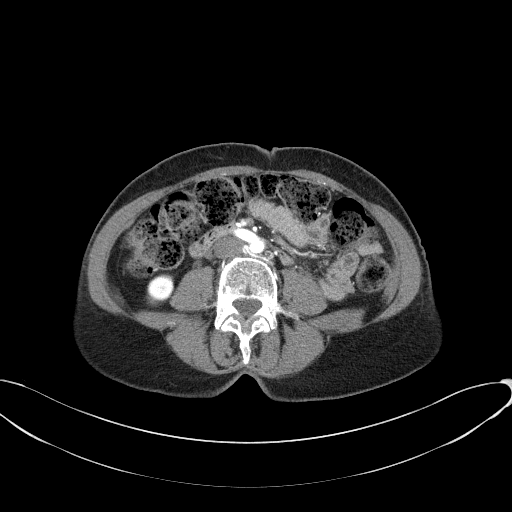
Abdominal CT with intravenous contrast, arterial phase, axial plane, 100 kVp, kernel B41f. Slice 14/77 from the bottom of the scan; thickness 3.00 mm; pixel size 0.809 mm.
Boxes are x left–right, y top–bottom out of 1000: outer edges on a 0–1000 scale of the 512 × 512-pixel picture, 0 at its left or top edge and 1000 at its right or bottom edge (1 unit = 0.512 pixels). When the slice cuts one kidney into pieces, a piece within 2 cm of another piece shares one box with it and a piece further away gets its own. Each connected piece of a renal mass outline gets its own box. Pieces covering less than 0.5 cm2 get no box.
Right kidney, box x 285–342, y 535–598 out of 1000 (outlined area 696 px, about 4.6 cm2). No renal mass is outlined on this slice.